One axial slice (226 of 670, counting up from the lowest) of an arterial-phase abdominal CT acquired with 120 kVp, kernel I30f; each pixel is 0.861 mm and the slice is 1.00 mm thick.
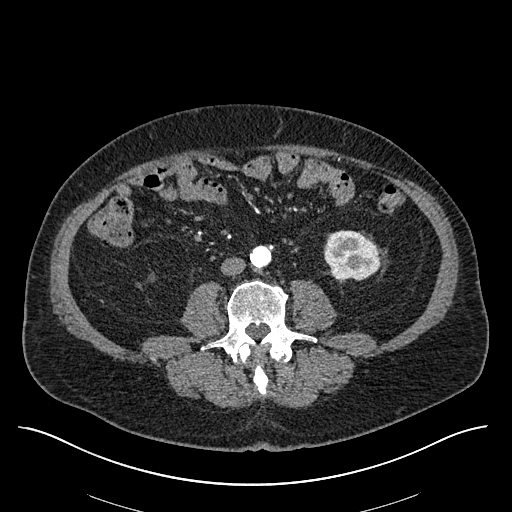
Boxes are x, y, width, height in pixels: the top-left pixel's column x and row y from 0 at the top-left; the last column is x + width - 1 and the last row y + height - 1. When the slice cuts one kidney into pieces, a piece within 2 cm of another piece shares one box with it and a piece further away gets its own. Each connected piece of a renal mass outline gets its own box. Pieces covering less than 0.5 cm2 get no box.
Left kidney, box x 324, y 230, width 56, height 51 (outlined area 2,286 px, about 17.0 cm2). No renal mass is outlined on this slice.